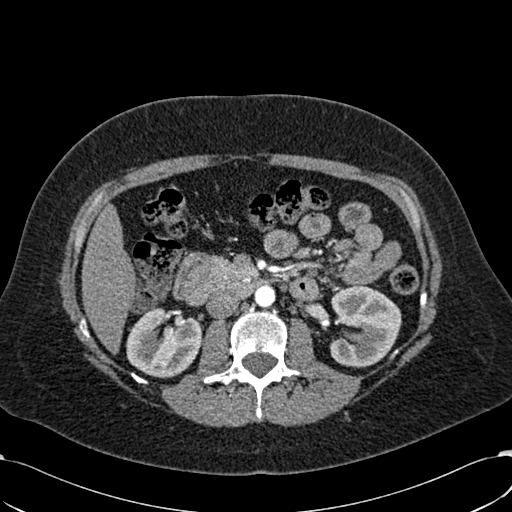
Axial slice 352 of 532 of a contrast-enhanced abdominal CT in the arterial phase (slice 1 is the lowest), 120 kVp, kernel B30f; 1.00 mm slice thickness and 0.713 mm pixels.
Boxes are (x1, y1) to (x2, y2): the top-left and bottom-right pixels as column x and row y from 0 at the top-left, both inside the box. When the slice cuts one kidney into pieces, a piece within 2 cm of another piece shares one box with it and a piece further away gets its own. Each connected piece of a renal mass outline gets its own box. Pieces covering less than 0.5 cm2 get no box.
Two kidney boxes on this slice; by box centre, from the image's left to its right: (1) Right kidney from (126, 307) to (202, 378) (outlined area 4,038 px, about 20.5 cm2). (2) Left kidney, box (329, 285) to (401, 367) (outlined area 4,544 px, about 23.1 cm2). No renal mass outline on this slice.